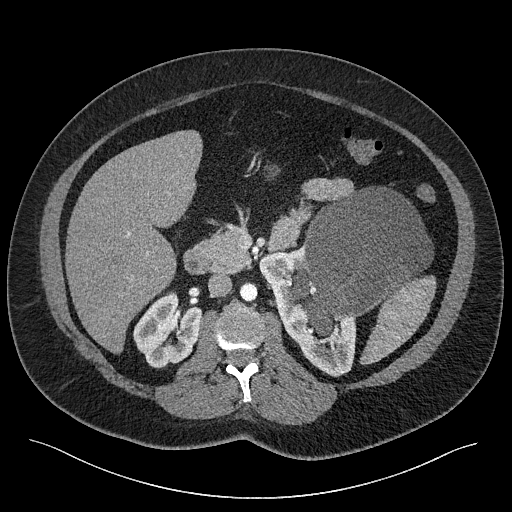
Axial slice 140 of 301 of a contrast-enhanced abdominal CT (slice 1 is the lowest), 120 kVp, kernel I40f; 2.00 mm slice thickness and 0.859 mm pixels.
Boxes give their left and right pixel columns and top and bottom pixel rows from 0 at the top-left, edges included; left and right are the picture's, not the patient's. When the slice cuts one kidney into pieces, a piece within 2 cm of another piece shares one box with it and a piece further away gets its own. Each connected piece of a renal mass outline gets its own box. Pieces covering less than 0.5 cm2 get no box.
Three boxes on this slice (two kidney boxes and one renal mass box), listed by box centre from the image's left to its right. (1) Right kidney in the box with left 133, top 290, right 201, bottom 368 (outlined area 3,589 px, about 26.5 cm2). (2) Box with left 259, top 246, right 356, bottom 376: left kidney (outlined area 4,658 px, about 34.4 cm2). (3) Left renal mass in the box with left 289, top 187, right 433, bottom 336 (outlined area 13,823 px, about 102.1 cm2).